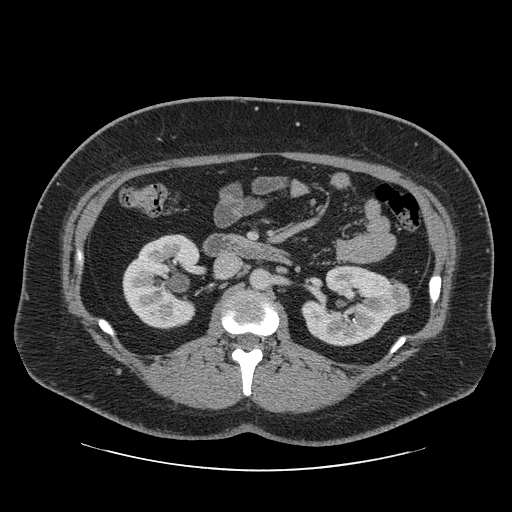
Axial slice 33 of 69 of a contrast-enhanced abdominal CT in the arterial phase (slice 1 is the lowest), 120 kVp, kernel STANDARD; 2.50 mm slice thickness and 0.846 mm pixels.
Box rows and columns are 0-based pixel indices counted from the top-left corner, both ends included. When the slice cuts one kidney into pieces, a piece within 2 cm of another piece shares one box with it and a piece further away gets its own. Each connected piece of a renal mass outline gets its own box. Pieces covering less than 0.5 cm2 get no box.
Two kidney boxes and one renal mass box on this slice; by box centre, from the image's left to its right: (1) Right kidney at rows 234–329, columns 122–200 (outlined area 5,547 px, about 39.7 cm2). (2) Left kidney at rows 265–346, columns 301–398 (outlined area 5,303 px, about 37.9 cm2). (3) Left renal mass, box rows 282–314, columns 385–410 (outlined area 663 px, about 4.7 cm2).